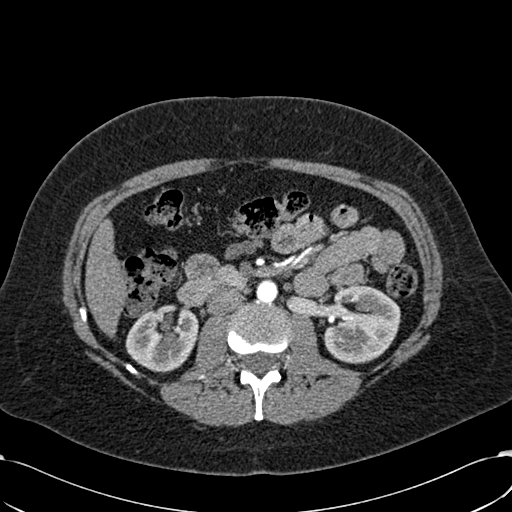
Arterial-phase contrast-enhanced abdominal CT, axial slice 333 of 532 (counted from the lowest slice); tube voltage 120 kVp, convolution kernel B30f; slices 1.00 mm thick, 0.713 mm per pixel.
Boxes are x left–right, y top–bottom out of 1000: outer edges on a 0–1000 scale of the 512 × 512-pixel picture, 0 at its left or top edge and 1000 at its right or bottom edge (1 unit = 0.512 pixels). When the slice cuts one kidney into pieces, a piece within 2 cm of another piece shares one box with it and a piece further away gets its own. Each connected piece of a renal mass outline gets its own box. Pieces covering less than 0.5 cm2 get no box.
Two boxes on this slice (two kidney boxes), listed by box centre from the image's left to its right. (1) Right kidney at x 244–389, y 596–729 out of 1000 (outlined area 3,662 px, about 18.6 cm2). (2) Left kidney at x 629–783, y 557–711 out of 1000 (outlined area 4,691 px, about 23.8 cm2). No renal mass is outlined on this slice.